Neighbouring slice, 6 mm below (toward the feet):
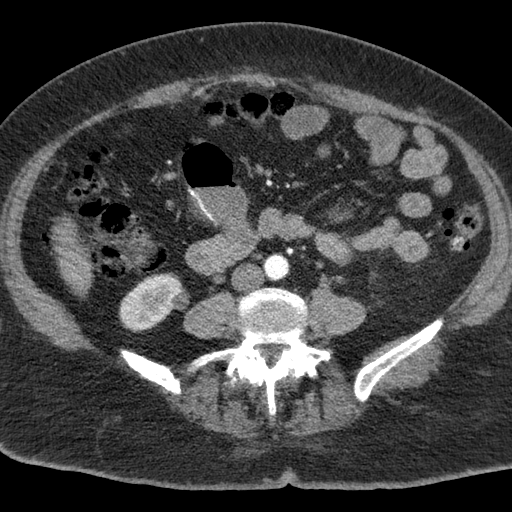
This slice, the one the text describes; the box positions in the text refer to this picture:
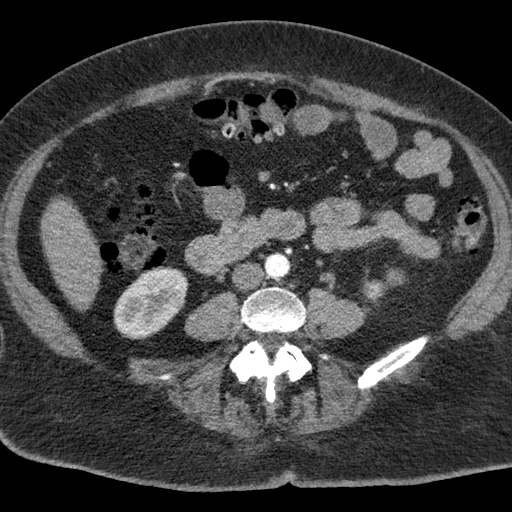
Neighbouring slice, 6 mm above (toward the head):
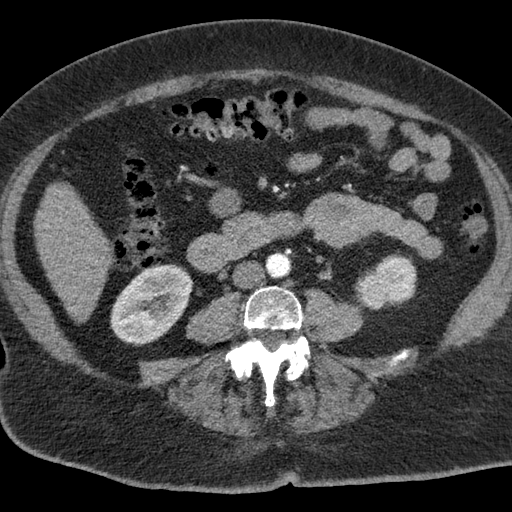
Abdominal CT with intravenous contrast, axial plane, 120 kVp, kernel B. Slice 18/76 from the bottom of the scan; thickness 3.00 mm; pixel size 0.684 mm.
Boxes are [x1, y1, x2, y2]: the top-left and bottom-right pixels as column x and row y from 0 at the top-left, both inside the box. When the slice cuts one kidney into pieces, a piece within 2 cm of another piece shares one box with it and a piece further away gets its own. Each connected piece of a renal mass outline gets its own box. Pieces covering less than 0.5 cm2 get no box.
Boxed on this slice (two kidney boxes and one renal mass box), listed by box centre from the image's left to its right: (1) Box [113, 267, 188, 339]: right kidney (outlined area 3,903 px, about 18.2 cm2). (2) Left renal mass, box [360, 279, 390, 303] (outlined area 516 px, about 2.4 cm2). (3) Box [384, 267, 408, 287]: left kidney (outlined area 339 px, about 1.6 cm2). This slice is near the end of the left renal mass toward the feet, so the slices 6 mm below and 6 mm above it are shown as well; the boxes refer to this slice only.